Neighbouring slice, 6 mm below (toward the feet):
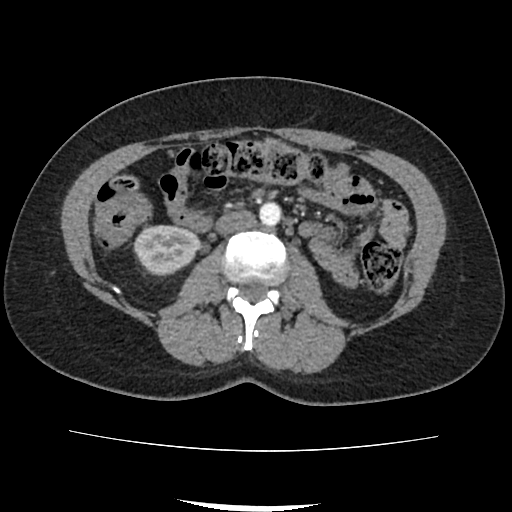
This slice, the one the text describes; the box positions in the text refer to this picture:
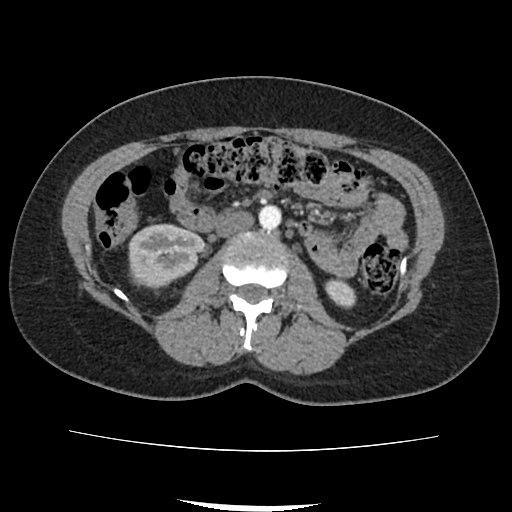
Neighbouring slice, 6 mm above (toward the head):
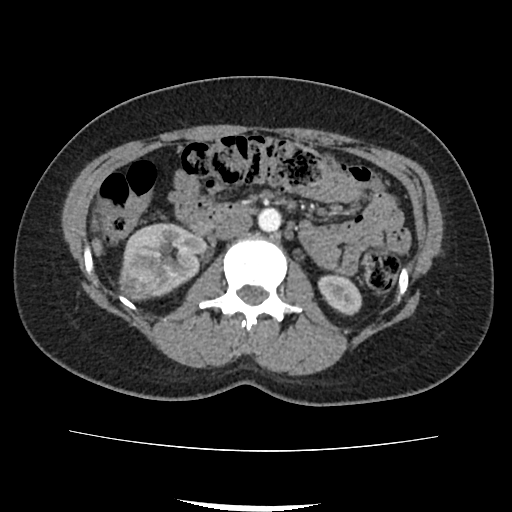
Axial slice 41 of 103 of a contrast-enhanced abdominal CT (slice 1 is the lowest), 120 kVp, kernel FC18; 3.00 mm slice thickness and 0.714 mm pixels.
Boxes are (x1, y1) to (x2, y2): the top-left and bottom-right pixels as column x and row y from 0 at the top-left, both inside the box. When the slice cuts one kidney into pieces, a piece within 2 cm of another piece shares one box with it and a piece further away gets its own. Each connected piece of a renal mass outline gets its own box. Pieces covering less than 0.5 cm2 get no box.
Two kidney boxes and one renal mass box on this slice; by box centre, from the image's left to its right: (1) Right renal mass from (130, 272) to (145, 285) (outlined area 169 px, about 0.9 cm2). (2) Right kidney from (129, 223) to (205, 288) (outlined area 3,658 px, about 18.6 cm2). (3) Box (324, 278) to (356, 309): left kidney (outlined area 690 px, about 3.5 cm2). This slice is near the end of the right renal mass toward the feet, so the slices 6 mm below and 6 mm above it are shown as well; the boxes refer to this slice only.